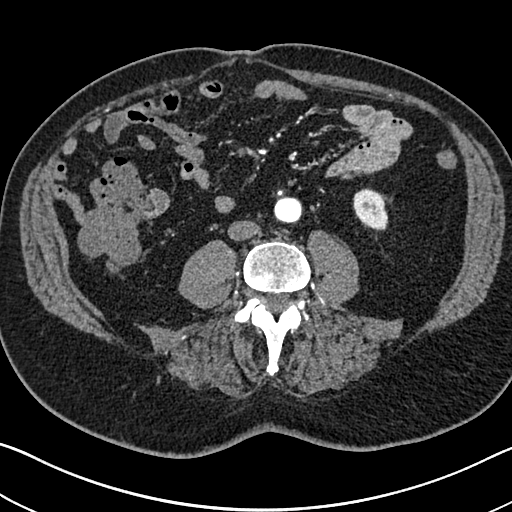
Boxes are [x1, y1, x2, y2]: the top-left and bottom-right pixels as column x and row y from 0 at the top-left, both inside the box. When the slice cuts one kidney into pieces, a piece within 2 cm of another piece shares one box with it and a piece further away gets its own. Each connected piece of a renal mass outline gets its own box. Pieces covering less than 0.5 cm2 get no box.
This is axial slice 278 of 705 (slice 1 is the lowest) of an arterial-phase abdominal CT with contrast; each pixel is 0.703 mm and the slice is 1.00 mm thick. Left kidney at [353, 188, 388, 230] (outlined area 1,148 px, about 5.7 cm2). No renal mass is outlined on this slice.
Tube voltage 120 kVp; convolution kernel I30f.